Abdominal CT with intravenous contrast, arterial phase, axial plane, 120 kVp, kernel B31f. Slice 232/620 from the bottom of the scan; thickness 2.00 mm; pixel size 0.637 mm.
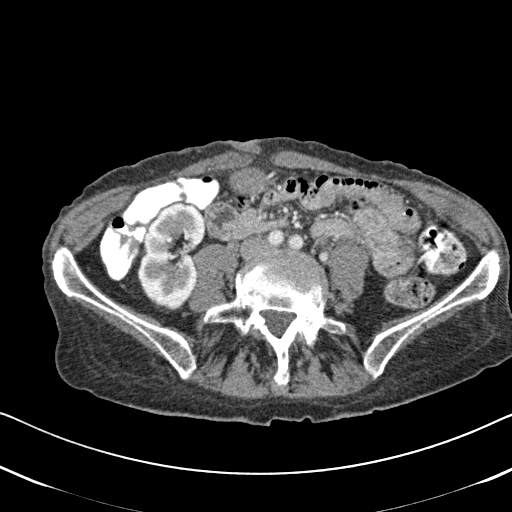
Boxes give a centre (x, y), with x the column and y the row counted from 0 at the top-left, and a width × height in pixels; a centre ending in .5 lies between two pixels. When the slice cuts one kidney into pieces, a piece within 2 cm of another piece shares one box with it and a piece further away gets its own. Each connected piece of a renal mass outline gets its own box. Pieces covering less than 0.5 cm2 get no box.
Right kidney, box centre (172, 256.5), 71 × 110 pixels (outlined area 5,593 px, about 22.7 cm2). This slice carries no renal mass outline.